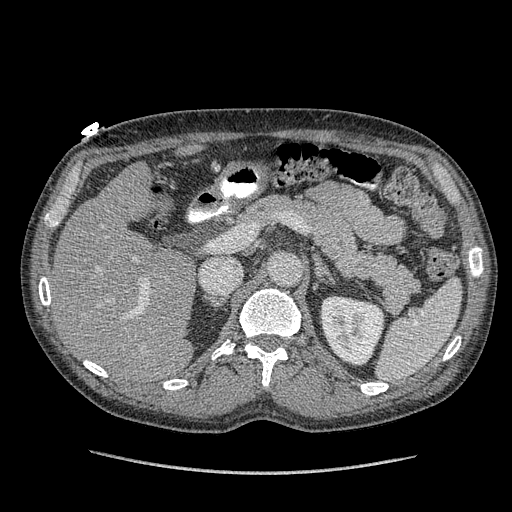
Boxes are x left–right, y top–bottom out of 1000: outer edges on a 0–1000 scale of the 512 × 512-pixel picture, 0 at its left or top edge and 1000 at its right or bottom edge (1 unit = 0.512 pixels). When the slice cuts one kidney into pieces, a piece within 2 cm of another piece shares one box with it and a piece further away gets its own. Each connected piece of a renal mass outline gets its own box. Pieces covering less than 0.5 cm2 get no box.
Slice 247/349 of a contrast-enhanced abdominal CT in the arterial phase, counting up from the lowest; pixel size 0.742 mm, slice thickness 1.25 mm. Box x 625–754, y 576–715 out of 1000: left kidney (outlined area 3,517 px, about 19.4 cm2). No renal mass outline on this slice.
Acquired at 120 kVp and reconstructed with the STANDARD kernel.